One axial slice (437 of 738, counting up from the lowest) of an arterial-phase abdominal CT acquired with 120 kVp, kernel I30f; each pixel is 0.789 mm and the slice is 1.00 mm thick.
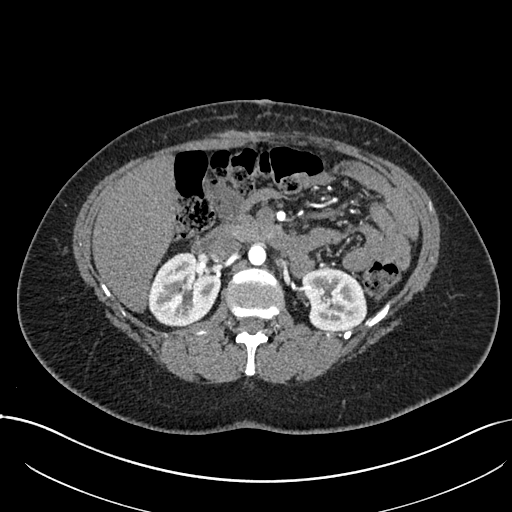
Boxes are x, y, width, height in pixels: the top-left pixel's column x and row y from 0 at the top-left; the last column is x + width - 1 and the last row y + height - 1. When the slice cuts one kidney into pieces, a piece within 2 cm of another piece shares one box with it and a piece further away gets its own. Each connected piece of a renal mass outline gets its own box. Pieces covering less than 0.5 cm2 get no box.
Boxed on this slice (two kidney boxes), listed by box centre from the image's left to its right: (1) Right kidney, box x 148, y 251, width 73, height 76 (outlined area 4,020 px, about 25.0 cm2). (2) Left kidney, box x 302, y 267, width 66, height 64 (outlined area 3,249 px, about 20.2 cm2). This slice carries no renal mass outline.